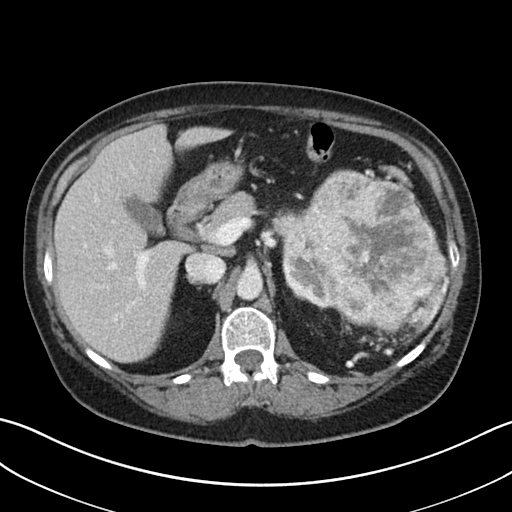
Contrast-enhanced abdominal CT, axial slice 27 of 38 (counted from the lowest slice); tube voltage 100 kVp, convolution kernel I30f; slices 5.00 mm thick, 0.730 mm per pixel.
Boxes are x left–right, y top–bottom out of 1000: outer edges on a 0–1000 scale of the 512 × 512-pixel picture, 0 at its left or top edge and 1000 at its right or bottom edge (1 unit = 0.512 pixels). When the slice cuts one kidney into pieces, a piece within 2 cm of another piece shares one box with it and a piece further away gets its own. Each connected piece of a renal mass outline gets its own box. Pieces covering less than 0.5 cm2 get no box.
Boxed on this slice (one kidney box and one renal mass box), listed by box centre from the image's left to its right: (1) Left kidney at x 551–648, y 500–602 out of 1000 (outlined area 1,631 px, about 8.7 cm2). (2) Left renal mass, box x 531–871, y 330–645 out of 1000 (outlined area 17,338 px, about 92.5 cm2).